One axial slice (57 of 304, counting up from the lowest) of an arterial-phase abdominal CT acquired with 100 kVp, kernel I30f; each pixel is 0.809 mm and the slice is 2.00 mm thick.
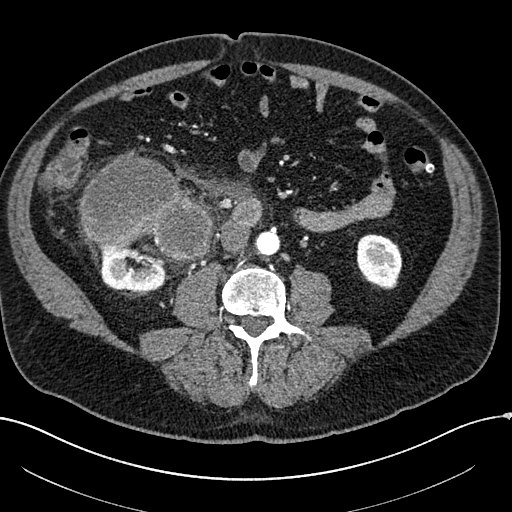
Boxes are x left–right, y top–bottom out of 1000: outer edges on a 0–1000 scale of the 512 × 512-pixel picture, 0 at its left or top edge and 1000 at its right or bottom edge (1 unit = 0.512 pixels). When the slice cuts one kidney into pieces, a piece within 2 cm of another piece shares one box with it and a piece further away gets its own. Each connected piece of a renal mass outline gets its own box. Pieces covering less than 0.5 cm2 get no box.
Three boxes on this slice (two kidney boxes and one renal mass box), listed by box centre from the image's left to its right. (1) Right kidney, box x 189–340, y 449–572 out of 1000 (outlined area 3,002 px, about 19.6 cm2). (2) Right renal mass at x 156–416, y 297–514 out of 1000 (outlined area 9,635 px, about 63.0 cm2). (3) Left kidney, box x 695–787, y 457–566 out of 1000 (outlined area 2,032 px, about 13.3 cm2).